One axial slice (52 of 68, counting up from the lowest) of an arterial-phase abdominal CT acquired with 120 kVp, kernel B31f; each pixel is 0.961 mm and the slice is 5.00 mm thick.
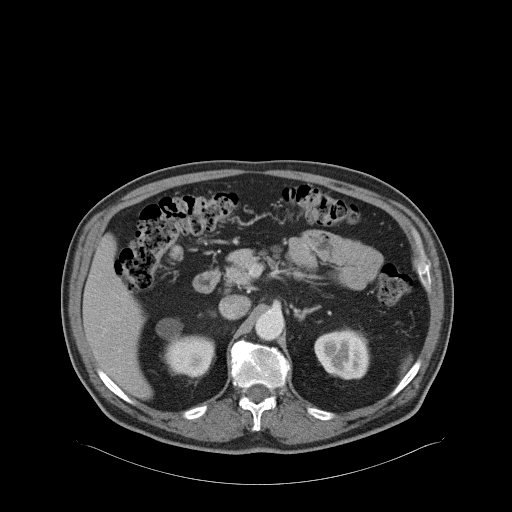
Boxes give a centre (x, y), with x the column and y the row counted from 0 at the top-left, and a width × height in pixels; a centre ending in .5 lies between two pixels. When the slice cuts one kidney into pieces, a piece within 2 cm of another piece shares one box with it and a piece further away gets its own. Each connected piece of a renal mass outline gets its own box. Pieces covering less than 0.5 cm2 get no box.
Two kidney boxes on this slice; by box centre, from the image's left to its right: (1) Right kidney, box centre (185, 347.5), 59 × 60 pixels (outlined area 2,195 px, about 20.3 cm2). (2) Left kidney in a box with centre (342, 353), 57 × 53 pixels (outlined area 2,313 px, about 21.4 cm2). No renal mass is outlined on this slice.